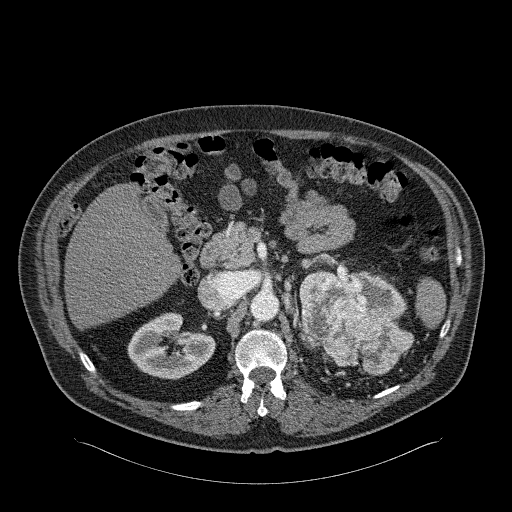
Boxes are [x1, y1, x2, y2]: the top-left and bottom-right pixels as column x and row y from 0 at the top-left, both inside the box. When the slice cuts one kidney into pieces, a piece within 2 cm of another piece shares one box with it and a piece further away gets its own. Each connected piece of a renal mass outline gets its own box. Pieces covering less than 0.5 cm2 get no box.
This is axial slice 158 of 326 (slice 1 is the lowest) of an arterial-phase abdominal CT with contrast; each pixel is 0.963 mm and the slice is 2.00 mm thick. Boxed on this slice (two kidney boxes and one renal mass box), listed by box centre from the image's left to its right: (1) Box [127, 312, 215, 379]: right kidney (outlined area 3,990 px, about 37.0 cm2). (2) Left renal mass, box [299, 271, 414, 374] (outlined area 7,537 px, about 69.9 cm2). (3) Left kidney, box [353, 271, 405, 319] (outlined area 1,315 px, about 12.2 cm2).
Scan settings: 120 kVp, B31f reconstruction kernel.